Axial slice 453 of 673 of a contrast-enhanced abdominal CT in the arterial phase (slice 1 is the lowest), 140 kVp, kernel I30f; 1.00 mm slice thickness and 0.957 mm pixels.
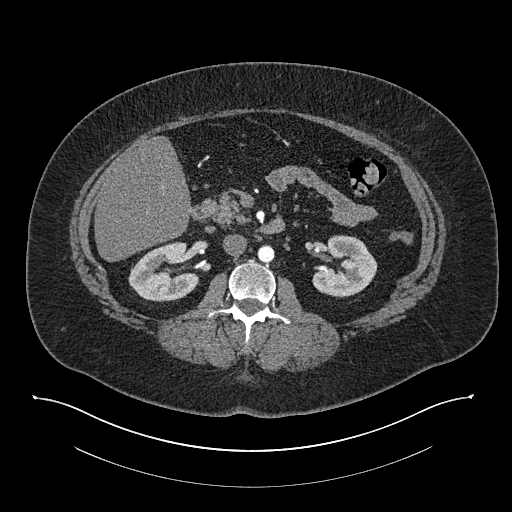
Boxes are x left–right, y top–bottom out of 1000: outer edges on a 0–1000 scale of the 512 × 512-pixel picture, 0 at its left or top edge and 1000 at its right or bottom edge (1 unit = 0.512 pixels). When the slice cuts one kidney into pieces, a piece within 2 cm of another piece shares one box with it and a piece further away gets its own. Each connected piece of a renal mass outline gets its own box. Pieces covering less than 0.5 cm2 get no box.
Boxed on this slice (two kidney boxes), listed by box centre from the image's left to its right: (1) Right kidney at x 250–391, y 473–590 out of 1000 (outlined area 3,052 px, about 28.0 cm2). (2) Left kidney, box x 609–738, y 459–582 out of 1000 (outlined area 2,932 px, about 26.9 cm2). This slice carries no renal mass outline.